One axial slice (486 of 705, counting up from the lowest) of an arterial-phase abdominal CT acquired with 120 kVp, kernel I30f; each pixel is 0.703 mm and the slice is 1.00 mm thick.
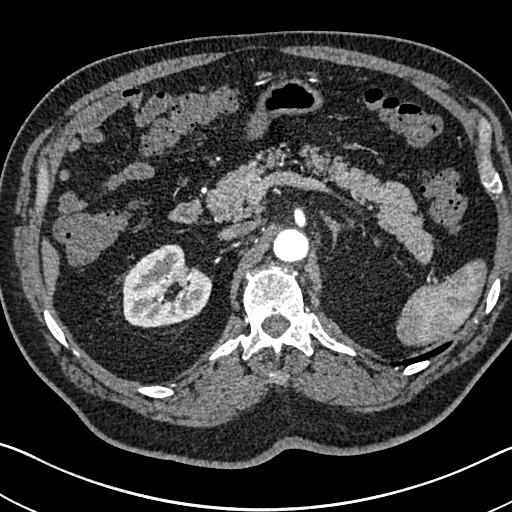
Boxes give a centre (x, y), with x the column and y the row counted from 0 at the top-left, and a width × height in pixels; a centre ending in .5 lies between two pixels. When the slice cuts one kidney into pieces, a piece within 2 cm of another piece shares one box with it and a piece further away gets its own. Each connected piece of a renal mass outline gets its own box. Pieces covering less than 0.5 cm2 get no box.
Right kidney in a box with centre (167, 286), 91 × 85 pixels (outlined area 5,428 px, about 26.8 cm2). This slice carries no renal mass outline.